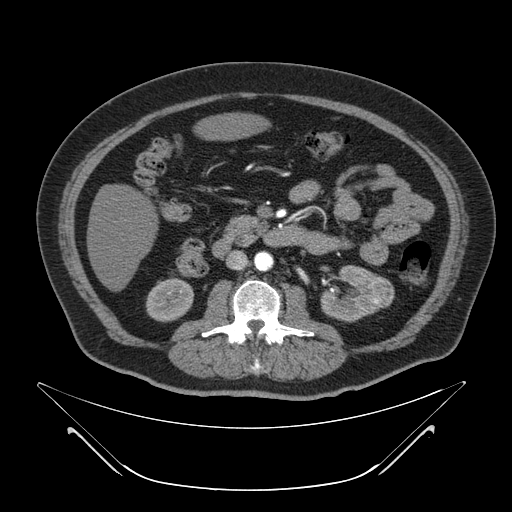
Axial slice 24 of 64 of a contrast-enhanced abdominal CT (slice 1 is the lowest), 120 kVp, kernel B; 4.00 mm slice thickness and 0.977 mm pixels.
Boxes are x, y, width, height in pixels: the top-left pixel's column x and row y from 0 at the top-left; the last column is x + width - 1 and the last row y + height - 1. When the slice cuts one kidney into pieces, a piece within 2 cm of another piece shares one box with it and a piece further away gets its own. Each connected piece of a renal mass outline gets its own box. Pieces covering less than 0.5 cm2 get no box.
Two kidney boxes and one renal mass box on this slice; by box centre, from the image's left to its right: (1) Box x 145, y 277, width 49, height 46: right kidney (outlined area 1,670 px, about 15.9 cm2). (2) Box x 320, y 265, width 61, height 58: left kidney (outlined area 2,316 px, about 22.1 cm2). (3) Left renal mass at x 371, y 276, width 24, height 33 (outlined area 610 px, about 5.8 cm2).